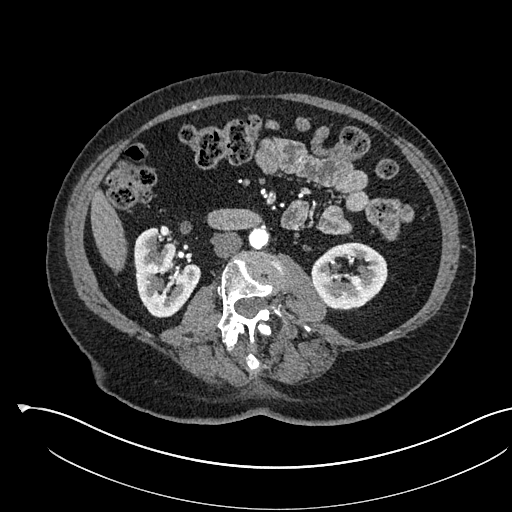
One axial slice (278 of 541, counting up from the lowest) of an arterial-phase abdominal CT acquired with 120 kVp, kernel I30f; each pixel is 0.834 mm and the slice is 1.00 mm thick.
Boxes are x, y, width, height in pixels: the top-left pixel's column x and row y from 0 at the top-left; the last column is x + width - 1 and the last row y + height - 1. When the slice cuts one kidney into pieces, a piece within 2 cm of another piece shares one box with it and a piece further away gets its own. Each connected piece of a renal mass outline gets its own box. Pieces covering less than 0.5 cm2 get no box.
Two kidney boxes on this slice; by box centre, from the image's left to its right: (1) Box x 134, y 227, width 67, height 91: right kidney (outlined area 4,166 px, about 29.0 cm2). (2) Box x 310, y 242, width 78, height 68: left kidney (outlined area 3,833 px, about 26.7 cm2). This slice carries no renal mass outline.